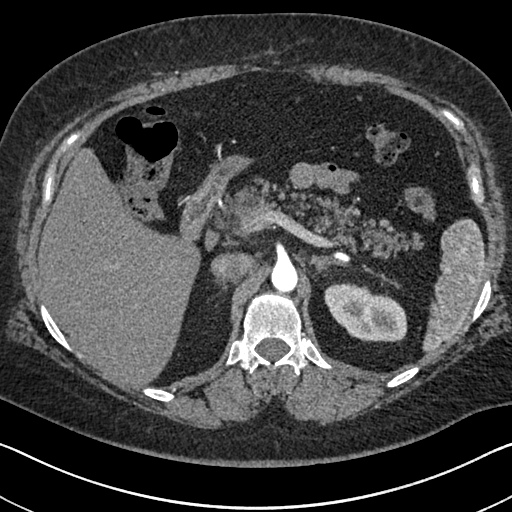
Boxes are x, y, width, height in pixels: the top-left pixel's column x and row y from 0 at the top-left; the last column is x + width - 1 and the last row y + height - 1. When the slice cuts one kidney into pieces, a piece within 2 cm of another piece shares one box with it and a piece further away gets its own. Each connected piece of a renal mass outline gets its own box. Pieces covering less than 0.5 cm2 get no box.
This is axial slice 482 of 591 (slice 1 is the lowest) of an arterial-phase abdominal CT with contrast; each pixel is 0.703 mm and the slice is 1.00 mm thick. Box x 324, y 282, width 84, height 61: left kidney (outlined area 3,586 px, about 17.7 cm2). No renal mass is outlined on this slice.
Tube voltage 140 kVp; convolution kernel I30f.